Arterial-phase contrast-enhanced abdominal CT, axial slice 186 of 261 (counted from the lowest slice); tube voltage 120 kVp, convolution kernel I30f; slices 2.00 mm thick, 0.939 mm per pixel.
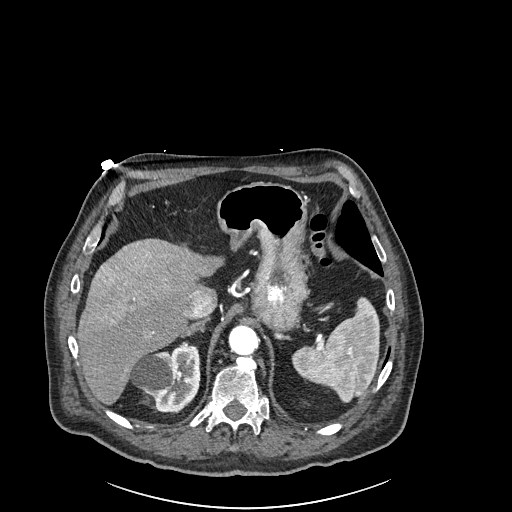
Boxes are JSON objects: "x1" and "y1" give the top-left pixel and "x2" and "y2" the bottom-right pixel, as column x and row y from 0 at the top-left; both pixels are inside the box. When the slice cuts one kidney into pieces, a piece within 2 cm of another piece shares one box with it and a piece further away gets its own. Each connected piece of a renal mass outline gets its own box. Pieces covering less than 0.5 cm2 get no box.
Right kidney at {"x1": 130, "y1": 344, "x2": 200, "y2": 412} (outlined area 3,432 px, about 30.3 cm2). No renal mass outline on this slice.